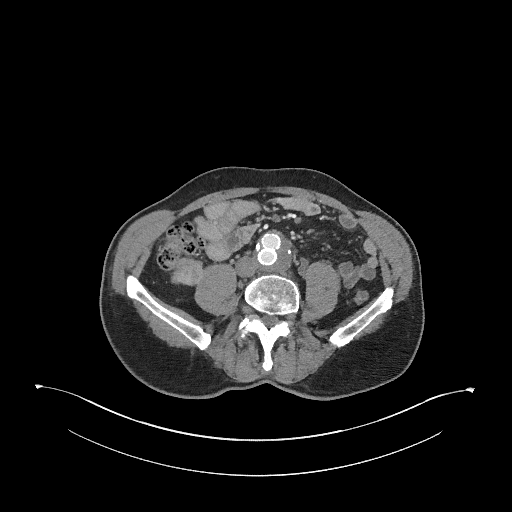
Arterial-phase contrast-enhanced abdominal CT, axial slice 115 of 345 (counted from the lowest slice); tube voltage 120 kVp, convolution kernel I31f; slices 2.00 mm thick, 0.977 mm per pixel.
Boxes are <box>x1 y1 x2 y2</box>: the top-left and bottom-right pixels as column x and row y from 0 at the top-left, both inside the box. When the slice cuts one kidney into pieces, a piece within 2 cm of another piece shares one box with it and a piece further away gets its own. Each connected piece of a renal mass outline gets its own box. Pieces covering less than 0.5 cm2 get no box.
At <box>171 256 202 286</box>: right renal mass (outlined area 759 px, about 7.2 cm2); no kidney is outlined on this slice, but the same outlined renal mass comes within 1 cm of the kidney on another slice.